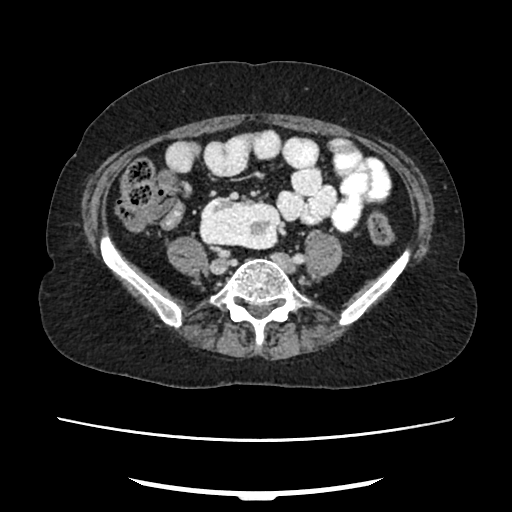
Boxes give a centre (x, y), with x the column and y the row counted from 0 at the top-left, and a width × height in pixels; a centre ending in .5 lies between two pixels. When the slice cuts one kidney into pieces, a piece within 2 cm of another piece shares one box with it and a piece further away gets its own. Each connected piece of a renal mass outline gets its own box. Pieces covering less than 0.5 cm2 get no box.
Slice 88/207 of a contrast-enhanced abdominal CT in the arterial phase, counting up from the lowest; pixel size 0.741 mm, slice thickness 2.00 mm. Right kidney in a box with centre (239.5, 222.5), 82 × 54 pixels (outlined area 3,625 px, about 19.9 cm2). No renal mass outline on this slice.
Tube voltage 120 kVp; convolution kernel FC18.